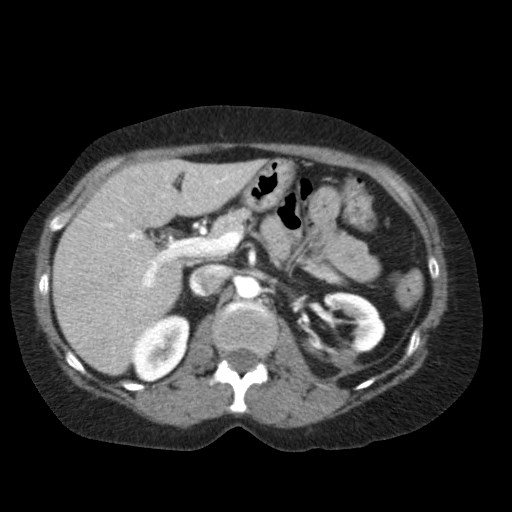
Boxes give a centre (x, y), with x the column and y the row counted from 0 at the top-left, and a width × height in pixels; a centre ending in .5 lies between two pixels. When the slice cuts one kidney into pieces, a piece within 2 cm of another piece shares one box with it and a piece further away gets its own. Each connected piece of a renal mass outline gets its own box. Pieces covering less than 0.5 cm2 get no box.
Arterial-phase contrast-enhanced abdominal CT, axial slice 62 of 79 (counted from the lowest slice); 5.00 mm thick, 0.686 mm per pixel. Two boxes on this slice (two kidney boxes), listed by box centre from the image's left to its right. (1) Box centre (160, 348), 59 × 69 pixels: right kidney (outlined area 2,822 px, about 13.3 cm2). (2) Box centre (343, 329.5), 85 × 78 pixels: left kidney (outlined area 3,741 px, about 17.6 cm2). No renal mass is outlined on this slice.
Scan settings: 120 kVp, FC11 reconstruction kernel.